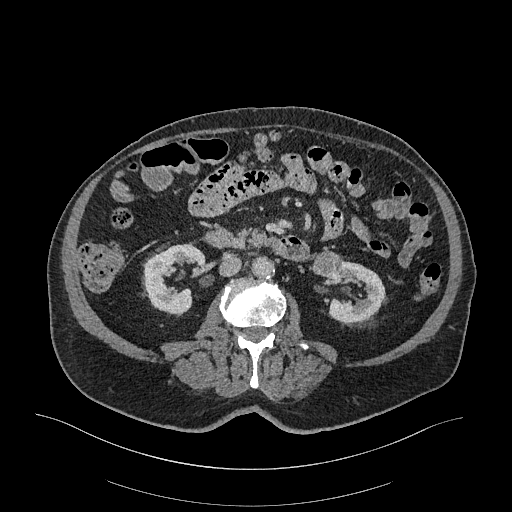
Arterial-phase contrast-enhanced abdominal CT, axial slice 128 of 470 (counted from the lowest slice); tube voltage 120 kVp, convolution kernel I26f; slices 1.00 mm thick, 0.938 mm per pixel.
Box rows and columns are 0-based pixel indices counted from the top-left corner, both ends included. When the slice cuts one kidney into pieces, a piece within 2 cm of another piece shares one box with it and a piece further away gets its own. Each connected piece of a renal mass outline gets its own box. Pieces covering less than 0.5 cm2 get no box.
Two kidney boxes and one renal mass box on this slice; by box centre, from the image's left to its right: (1) Box rows 243–315, columns 143–206: right kidney (outlined area 2,939 px, about 25.8 cm2). (2) Box rows 250–279, columns 309–342: left renal mass (outlined area 718 px, about 6.3 cm2). (3) Left kidney, box rows 259–322, columns 315–387 (outlined area 2,579 px, about 22.7 cm2).